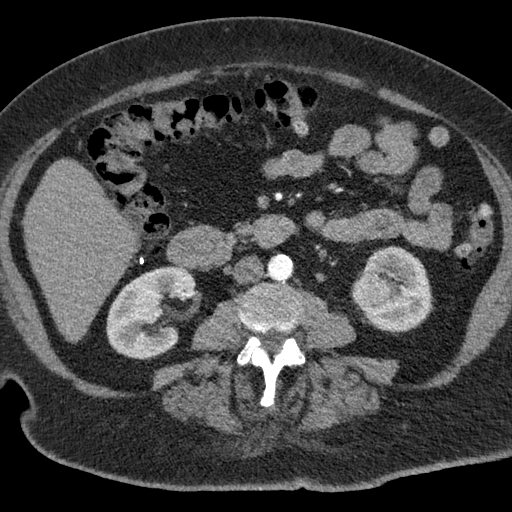
Axial slice 26 of 76 of a contrast-enhanced abdominal CT (slice 1 is the lowest), 120 kVp, kernel B; 3.00 mm slice thickness and 0.684 mm pixels.
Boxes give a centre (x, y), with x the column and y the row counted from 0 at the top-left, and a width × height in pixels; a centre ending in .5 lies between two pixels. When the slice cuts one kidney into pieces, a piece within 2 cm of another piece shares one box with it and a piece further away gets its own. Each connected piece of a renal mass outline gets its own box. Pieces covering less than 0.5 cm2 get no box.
Boxed on this slice (two kidney boxes and one renal mass box), listed by box centre from the image's left to its right: (1) Box centre (151, 312), 91 × 95 pixels: right kidney (outlined area 5,998 px, about 28.0 cm2). (2) Left renal mass in a box with centre (371.5, 289.5), 42 × 38 pixels (outlined area 1,143 px, about 5.3 cm2). (3) Left kidney in a box with centre (394.5, 289.5), 78 × 90 pixels (outlined area 4,218 px, about 19.7 cm2).